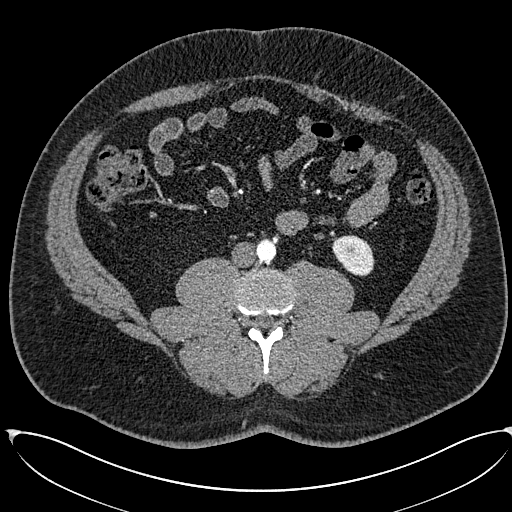
Arterial-phase contrast-enhanced abdominal CT, axial slice 232 of 673 (counted from the lowest slice); tube voltage 120 kVp, convolution kernel I30f; slices 1.00 mm thick, 0.855 mm per pixel.
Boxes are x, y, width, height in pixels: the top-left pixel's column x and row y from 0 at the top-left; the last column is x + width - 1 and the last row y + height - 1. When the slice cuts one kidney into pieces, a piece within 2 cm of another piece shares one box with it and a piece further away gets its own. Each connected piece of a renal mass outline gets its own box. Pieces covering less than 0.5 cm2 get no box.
Left kidney at x 332, y 235, width 43, height 42 (outlined area 1,315 px, about 9.6 cm2). This slice carries no renal mass outline.